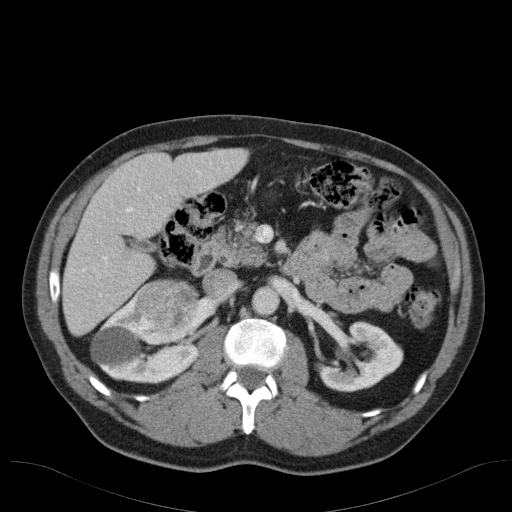
Arterial-phase contrast-enhanced abdominal CT, axial slice 69 of 98 (counted from the lowest slice); tube voltage 120 kVp, convolution kernel B31f; slices 5.00 mm thick, 0.764 mm per pixel.
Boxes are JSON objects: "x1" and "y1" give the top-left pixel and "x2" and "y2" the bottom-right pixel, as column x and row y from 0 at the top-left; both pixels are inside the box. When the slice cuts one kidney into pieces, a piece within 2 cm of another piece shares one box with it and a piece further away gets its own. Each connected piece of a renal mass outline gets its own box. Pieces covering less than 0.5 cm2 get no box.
Two kidney boxes and one renal mass box on this slice; by box centre, from the image's left to its right: (1) Box {"x1": 91, "y1": 295, "x2": 200, "y2": 383}: right kidney (outlined area 5,064 px, about 29.5 cm2). (2) Box {"x1": 132, "y1": 278, "x2": 200, "y2": 344}: right renal mass (outlined area 3,713 px, about 21.7 cm2). (3) Left kidney at {"x1": 315, "y1": 321, "x2": 403, "y2": 392} (outlined area 3,917 px, about 22.8 cm2).